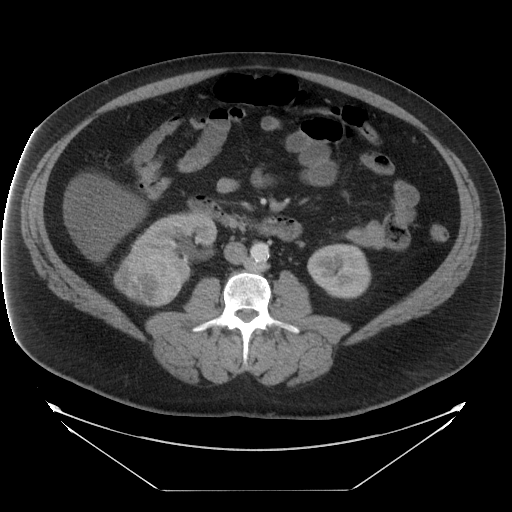
Contrast-enhanced abdominal CT, axial slice 10 of 29 (counted from the lowest slice); tube voltage 120 kVp, convolution kernel STANDARD; slices 5.00 mm thick, 0.977 mm per pixel.
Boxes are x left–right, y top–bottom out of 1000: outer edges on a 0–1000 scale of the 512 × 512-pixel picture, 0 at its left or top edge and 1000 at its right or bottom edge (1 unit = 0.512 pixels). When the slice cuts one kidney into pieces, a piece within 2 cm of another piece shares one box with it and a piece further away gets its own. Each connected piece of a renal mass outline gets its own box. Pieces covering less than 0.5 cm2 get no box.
Boxed on this slice (two kidney boxes and one renal mass box), listed by box centre from the image's left to its right: (1) Box x 221–359, y 488–600 out of 1000: right renal mass (outlined area 2,963 px, about 28.3 cm2). (2) Right kidney at x 254–426, y 414–555 out of 1000 (outlined area 3,251 px, about 31.0 cm2). (3) Left kidney, box x 600–727, y 475–586 out of 1000 (outlined area 2,763 px, about 26.3 cm2).